Contrast-enhanced abdominal CT, axial slice 72 of 103 (counted from the lowest slice); tube voltage 120 kVp, convolution kernel B31f; slices 5.00 mm thick, 0.801 mm per pixel.
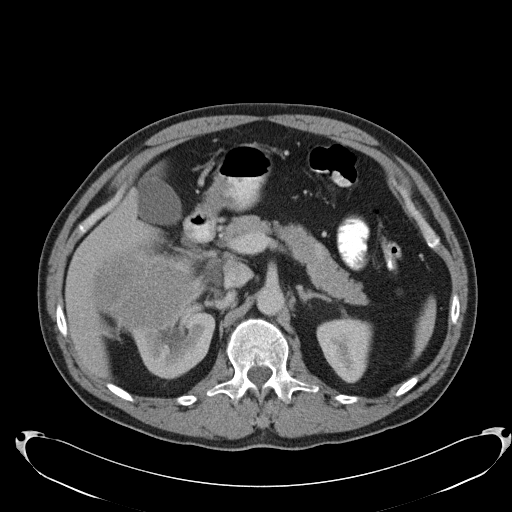
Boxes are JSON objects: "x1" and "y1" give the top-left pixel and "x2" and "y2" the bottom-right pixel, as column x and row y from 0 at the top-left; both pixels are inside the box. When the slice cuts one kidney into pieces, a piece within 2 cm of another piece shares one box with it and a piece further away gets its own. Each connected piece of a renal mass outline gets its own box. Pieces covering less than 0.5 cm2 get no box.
Two kidney boxes and one renal mass box on this slice; by box centre, from the image's left to its right: (1) Right renal mass, box {"x1": 89, "y1": 248, "x2": 206, "y2": 331} (outlined area 7,894 px, about 50.6 cm2). (2) Box {"x1": 129, "y1": 312, "x2": 215, "y2": 379}: right kidney (outlined area 3,588 px, about 23.0 cm2). (3) Left kidney, box {"x1": 316, "y1": 316, "x2": 372, "y2": 383} (outlined area 2,766 px, about 17.7 cm2).